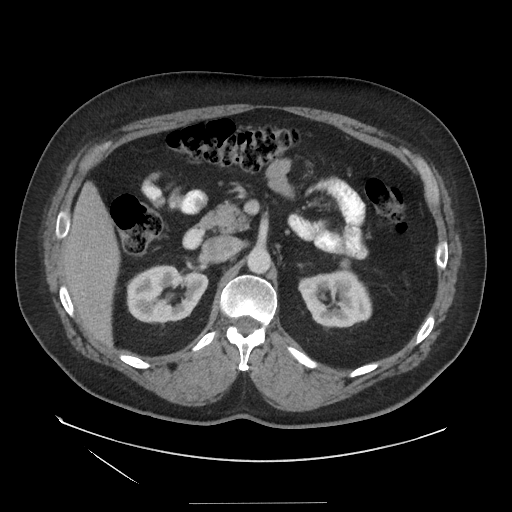
Abdominal CT with intravenous contrast, arterial phase, axial plane, 140 kVp, kernel STANDARD. Slice 88/129 from the bottom of the scan; thickness 3.75 mm; pixel size 0.938 mm.
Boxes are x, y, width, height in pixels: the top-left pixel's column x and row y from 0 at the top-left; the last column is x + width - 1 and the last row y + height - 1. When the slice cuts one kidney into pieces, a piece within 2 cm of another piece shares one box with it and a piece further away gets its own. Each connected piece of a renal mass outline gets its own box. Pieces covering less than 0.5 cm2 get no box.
Two kidney boxes and one renal mass box on this slice; by box centre, from the image's left to its right: (1) Right kidney at x 126, y 265, width 83, height 62 (outlined area 3,626 px, about 31.9 cm2). (2) Left kidney, box x 298, y 269, width 75, height 59 (outlined area 3,229 px, about 28.4 cm2). (3) Box x 339, y 258, width 12, height 13: left renal mass (outlined area 121 px, about 1.1 cm2).